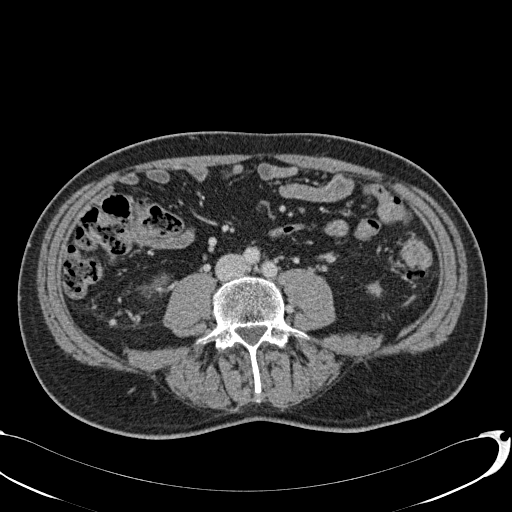
Axial slice 8 of 113 of a contrast-enhanced abdominal CT (slice 1 is the lowest), 120 kVp, kernel B31f; 2.00 mm slice thickness and 0.742 mm pixels.
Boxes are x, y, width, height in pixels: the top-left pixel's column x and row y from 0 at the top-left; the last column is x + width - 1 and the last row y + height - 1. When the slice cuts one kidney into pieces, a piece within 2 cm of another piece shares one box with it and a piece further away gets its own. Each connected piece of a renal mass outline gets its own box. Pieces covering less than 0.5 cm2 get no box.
Two kidney boxes on this slice; by box centre, from the image's left to its right: (1) Box x 146, y 275, width 20, height 20: right kidney (outlined area 219 px, about 1.2 cm2). (2) Box x 367, y 283, width 15, height 15: left kidney (outlined area 162 px, about 0.9 cm2). This slice carries no renal mass outline.